Arterial-phase contrast-enhanced abdominal CT, axial slice 167 of 1059 (counted from the lowest slice); tube voltage 100 kVp, convolution kernel I30f; slices 1.00 mm thick, 0.811 mm per pixel.
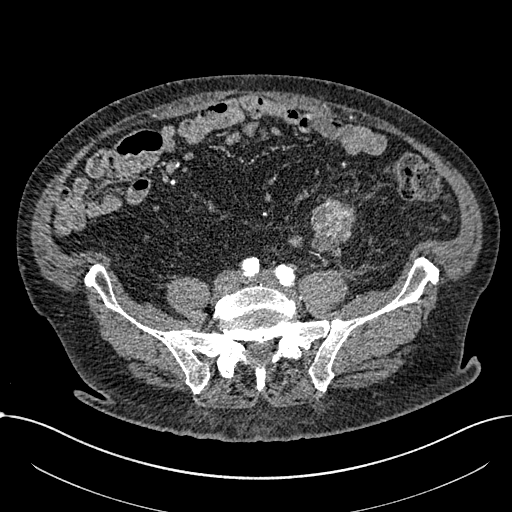
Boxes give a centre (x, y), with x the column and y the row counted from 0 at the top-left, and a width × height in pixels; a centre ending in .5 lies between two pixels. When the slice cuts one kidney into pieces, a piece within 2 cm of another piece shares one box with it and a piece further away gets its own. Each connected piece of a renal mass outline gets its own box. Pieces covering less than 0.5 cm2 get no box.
Renal mass, box centre (332.5, 227), 46 × 59 pixels (outlined area 1,905 px, about 12.5 cm2); no kidney outline appears on this slice, but the same outlined renal mass comes within 1 cm of the kidney on another slice.